One axial slice (221 of 548, counting up from the lowest) of an arterial-phase abdominal CT acquired with 120 kVp, kernel I26f; each pixel is 0.852 mm and the slice is 1.00 mm thick.
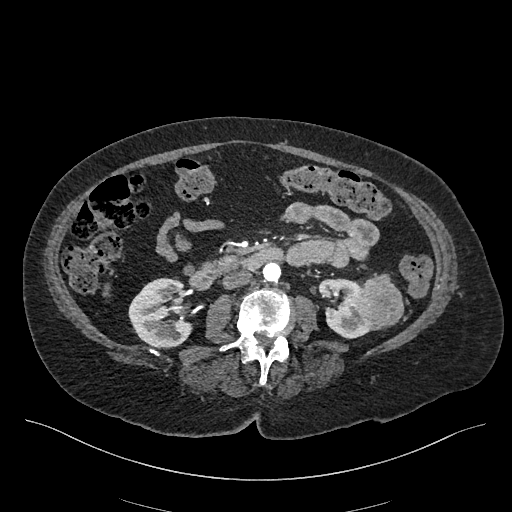
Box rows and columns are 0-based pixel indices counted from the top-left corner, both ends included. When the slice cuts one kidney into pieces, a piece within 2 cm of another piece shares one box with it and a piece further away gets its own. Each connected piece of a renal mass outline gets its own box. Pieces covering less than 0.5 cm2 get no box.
Boxed on this slice (two kidney boxes and one renal mass box), listed by box centre from the image's left to its right: (1) Right kidney at rows 277–348, columns 128–192 (outlined area 3,438 px, about 24.9 cm2). (2) Left kidney, box rows 278–338, columns 317–369 (outlined area 2,030 px, about 14.7 cm2). (3) Left renal mass at rows 273–330, columns 355–403 (outlined area 2,073 px, about 15.0 cm2).